One axial slice (437 of 591, counting up from the lowest) of an arterial-phase abdominal CT acquired with 140 kVp, kernel I30f; each pixel is 0.703 mm and the slice is 1.00 mm thick.
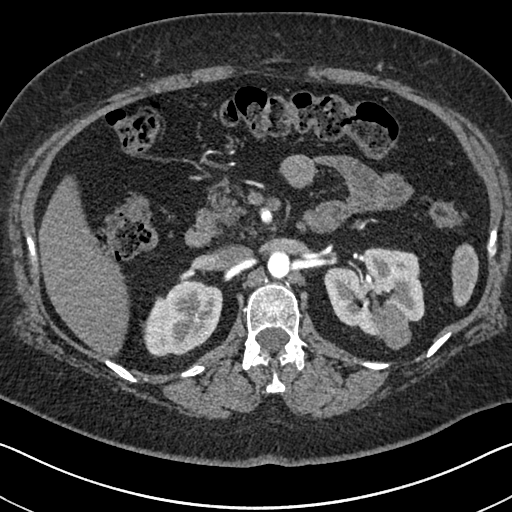
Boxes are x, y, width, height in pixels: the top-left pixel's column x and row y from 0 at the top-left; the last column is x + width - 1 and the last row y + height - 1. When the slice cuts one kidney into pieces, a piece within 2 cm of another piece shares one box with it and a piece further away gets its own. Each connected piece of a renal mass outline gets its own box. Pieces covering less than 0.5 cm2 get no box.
Three boxes on this slice (two kidney boxes and one renal mass box), listed by box centre from the image's left to its right. (1) Right kidney, box x 142, y 280, width 81, height 78 (outlined area 4,536 px, about 22.4 cm2). (2) Left kidney at x 323, y 247, width 102, height 90 (outlined area 5,799 px, about 28.7 cm2). (3) Left renal mass, box x 372, y 305, width 40, height 45 (outlined area 1,311 px, about 6.5 cm2).